One axial slice (563 of 834, counting up from the lowest) of a contrast-enhanced abdominal CT acquired with 140 kVp, kernel I30f; each pixel is 0.977 mm and the slice is 1.00 mm thick.
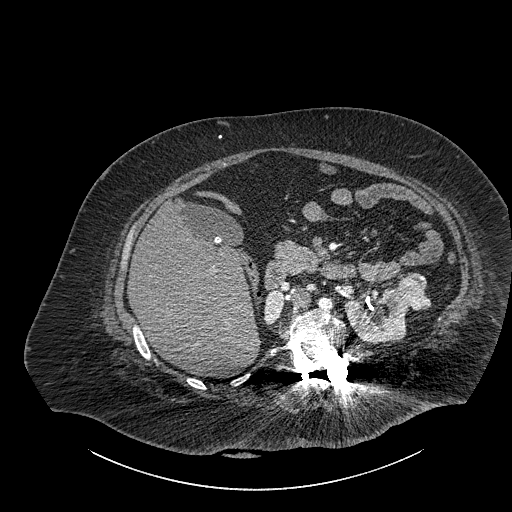
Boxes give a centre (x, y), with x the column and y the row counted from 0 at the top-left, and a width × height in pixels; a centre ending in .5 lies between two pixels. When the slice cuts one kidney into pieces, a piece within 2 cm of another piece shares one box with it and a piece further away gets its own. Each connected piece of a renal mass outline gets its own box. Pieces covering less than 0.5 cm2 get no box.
Three boxes on this slice (two kidney boxes and one renal mass box), listed by box centre from the image's left to its right. (1) Right part of the midline-crossing kidney, box centre (273.5, 306.5), 22 × 36 pixels (outlined area 553 px, about 5.3 cm2). (2) Box centre (376, 314.5), 65 × 56 pixels: left part of the midline-crossing kidney (outlined area 2,619 px, about 25.0 cm2). (3) Renal mass in a box with centre (413, 291), 35 × 39 pixels (outlined area 965 px, about 9.2 cm2).